One axial slice (53 of 96, counting up from the lowest) of an arterial-phase abdominal CT acquired with 120 kVp, kernel I40f; each pixel is 0.840 mm and the slice is 5.00 mm thick.
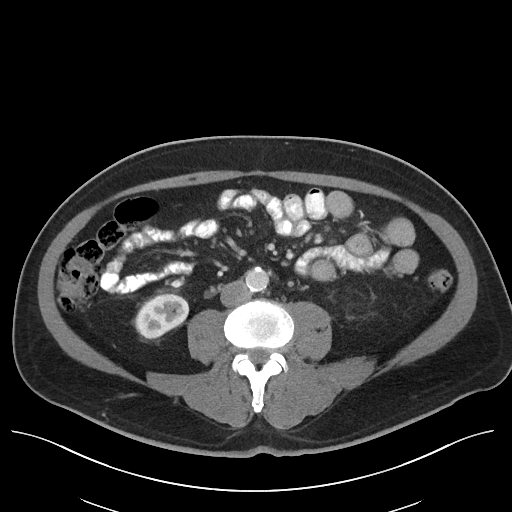
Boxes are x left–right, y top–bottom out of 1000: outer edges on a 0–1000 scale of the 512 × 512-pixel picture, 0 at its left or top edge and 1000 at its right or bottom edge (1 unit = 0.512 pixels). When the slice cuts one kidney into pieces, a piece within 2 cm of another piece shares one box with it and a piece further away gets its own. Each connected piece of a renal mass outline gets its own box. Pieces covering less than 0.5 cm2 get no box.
Box x 262–369, y 572–664 out of 1000: right kidney (outlined area 1,823 px, about 12.9 cm2). No renal mass is outlined on this slice.